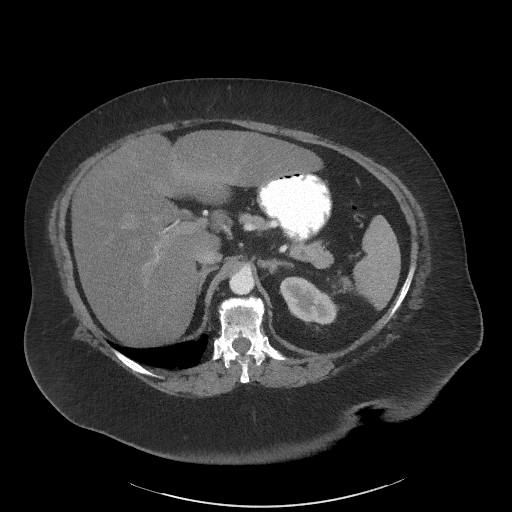
Axial slice 51 of 61 of a contrast-enhanced abdominal CT in the arterial phase (slice 1 is the lowest), 140 kVp, kernel I41f; 3.00 mm slice thickness and 0.947 mm pixels.
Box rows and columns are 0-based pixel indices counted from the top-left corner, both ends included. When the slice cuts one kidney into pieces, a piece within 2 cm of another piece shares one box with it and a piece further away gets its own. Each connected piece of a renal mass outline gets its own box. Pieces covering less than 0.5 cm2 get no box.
Left kidney, box rows 276–325, columns 279–338 (outlined area 1,947 px, about 17.5 cm2). No renal mass outline on this slice.